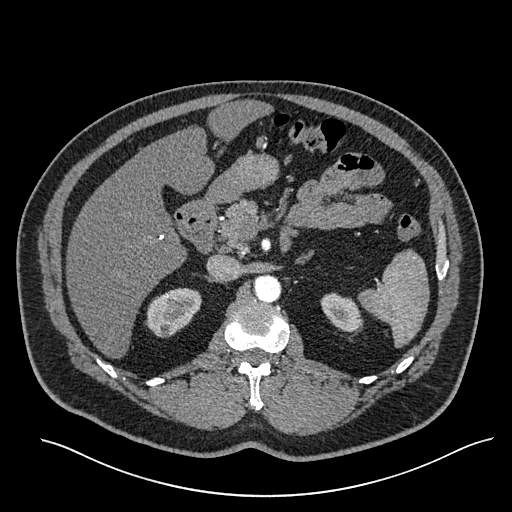
One axial slice (387 of 527, counting up from the lowest) of an arterial-phase abdominal CT acquired with 120 kVp, kernel I30f; each pixel is 0.859 mm and the slice is 1.00 mm thick.
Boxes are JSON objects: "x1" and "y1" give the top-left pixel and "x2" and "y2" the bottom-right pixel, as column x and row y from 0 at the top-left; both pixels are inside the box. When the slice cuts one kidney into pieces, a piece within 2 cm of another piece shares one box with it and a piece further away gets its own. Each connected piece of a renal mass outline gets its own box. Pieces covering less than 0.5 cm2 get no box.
Two boxes on this slice (two kidney boxes), listed by box centre from the image's left to its right. (1) Right kidney at {"x1": 144, "y1": 288, "x2": 201, "y2": 337} (outlined area 1,996 px, about 14.7 cm2). (2) Left kidney at {"x1": 320, "y1": 292, "x2": 361, "y2": 331} (outlined area 1,168 px, about 8.6 cm2). This slice carries no renal mass outline.